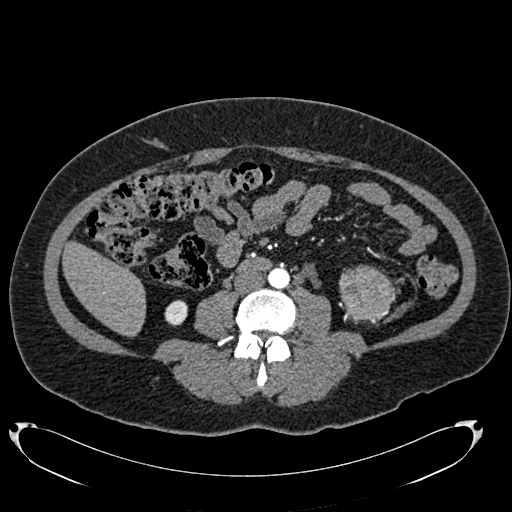
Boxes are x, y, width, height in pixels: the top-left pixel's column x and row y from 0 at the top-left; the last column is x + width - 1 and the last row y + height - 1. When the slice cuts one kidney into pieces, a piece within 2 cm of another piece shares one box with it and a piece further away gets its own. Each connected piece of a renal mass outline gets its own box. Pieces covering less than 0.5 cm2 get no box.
This is axial slice 320 of 634 (slice 1 is the lowest) of an arterial-phase abdominal CT with contrast; each pixel is 0.838 mm and the slice is 1.00 mm thick. Two boxes on this slice (one kidney box and one renal mass box), listed by box centre from the image's left to its right. (1) Right kidney, box x 164, y 300, width 24, height 27 (outlined area 479 px, about 3.4 cm2). (2) Box x 339, y 264, width 57, height 59: left renal mass (outlined area 2,502 px, about 17.6 cm2); it sits over 1 cm from every kidney outline on this slice, but the same outlined renal mass comes within 1 cm of the kidney on another slice.
Scan settings: 120 kVp, B20f reconstruction kernel.